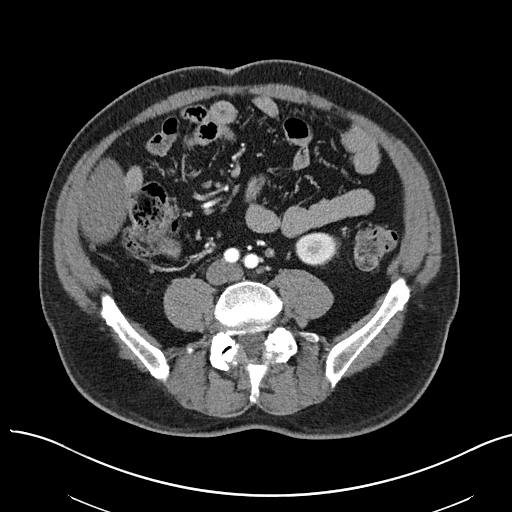
Abdominal CT with intravenous contrast, arterial phase, axial plane, 100 kVp, kernel I40f. Slice 7/97 from the bottom of the scan; thickness 3.00 mm; pixel size 0.797 mm.
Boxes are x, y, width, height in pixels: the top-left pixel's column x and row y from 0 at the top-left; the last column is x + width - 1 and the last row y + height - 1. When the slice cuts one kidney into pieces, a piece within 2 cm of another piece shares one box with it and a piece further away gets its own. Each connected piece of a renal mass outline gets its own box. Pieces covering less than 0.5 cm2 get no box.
Left kidney, box x 295, y 232, width 46, height 35 (outlined area 1,188 px, about 7.5 cm2). No renal mass outline on this slice.